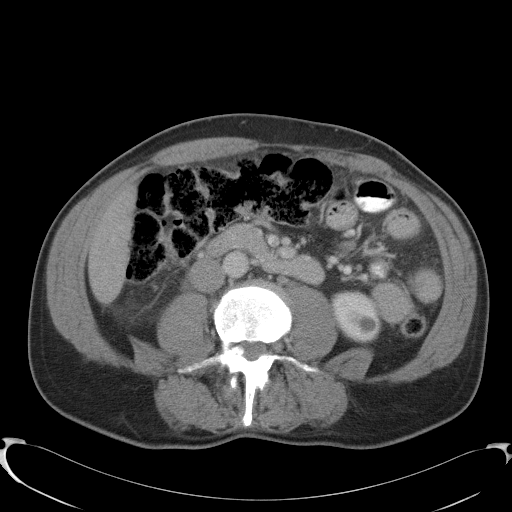
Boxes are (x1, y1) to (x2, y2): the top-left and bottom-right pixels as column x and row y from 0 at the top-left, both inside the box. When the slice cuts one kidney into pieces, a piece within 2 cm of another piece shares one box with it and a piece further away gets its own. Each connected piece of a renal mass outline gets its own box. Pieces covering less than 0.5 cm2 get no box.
This is axial slice 54 of 91 (slice 1 is the lowest) of an abdominal CT with contrast; each pixel is 0.762 mm and the slice is 5.00 mm thick. Left kidney, box (331, 290) to (380, 343) (outlined area 2,005 px, about 11.6 cm2). No renal mass is outlined on this slice.
Acquired at 120 kVp and reconstructed with the B41f kernel.